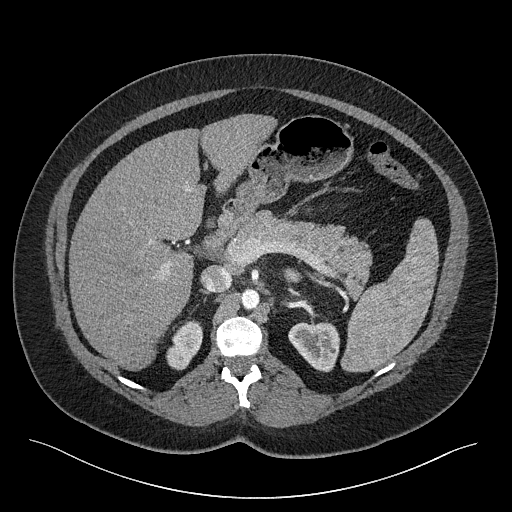
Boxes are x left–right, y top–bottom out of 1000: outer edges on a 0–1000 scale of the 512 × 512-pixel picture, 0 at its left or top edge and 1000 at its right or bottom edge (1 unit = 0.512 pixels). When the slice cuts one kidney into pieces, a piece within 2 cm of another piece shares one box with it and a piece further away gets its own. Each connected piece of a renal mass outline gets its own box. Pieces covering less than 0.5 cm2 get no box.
Slice 167/301 of a contrast-enhanced abdominal CT, counting up from the lowest; pixel size 0.859 mm, slice thickness 2.00 mm. Three kidney boxes on this slice; by box centre, from the image's left to its right: (1) Right kidney at x 324–396, y 625–725 out of 1000 (outlined area 1,266 px, about 9.3 cm2). (2) Left kidney (one of two boxed parts), box x 553–582, y 523–545 out of 1000 (outlined area 133 px, about 1.0 cm2). (3) Left kidney (one of two boxed parts), box x 563–666, y 627–729 out of 1000 (outlined area 1,938 px, about 14.3 cm2). This slice carries no renal mass outline.
Tube voltage 120 kVp; convolution kernel I40f.